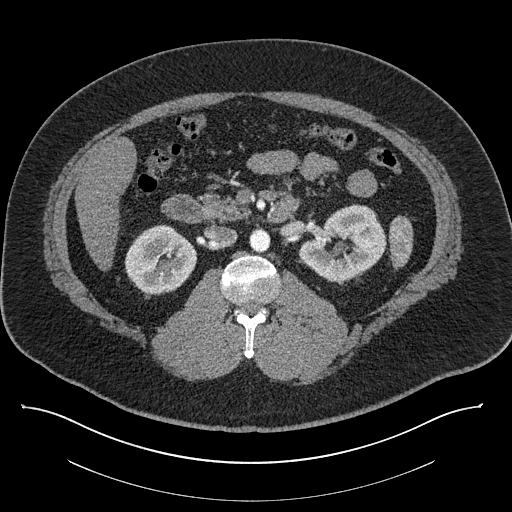
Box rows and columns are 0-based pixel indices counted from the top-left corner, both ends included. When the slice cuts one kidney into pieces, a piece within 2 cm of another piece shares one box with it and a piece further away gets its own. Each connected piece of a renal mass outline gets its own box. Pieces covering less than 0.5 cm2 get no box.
Slice 495/787 of a contrast-enhanced abdominal CT, counting up from the lowest; pixel size 0.910 mm, slice thickness 1.00 mm. Two boxes on this slice (two kidney boxes), listed by box centre from the image's left to its right. (1) Right kidney at rows 224–294, columns 124–197 (outlined area 3,829 px, about 31.7 cm2). (2) Left kidney, box rows 204–282, columns 298–386 (outlined area 4,749 px, about 39.3 cm2). No renal mass is outlined on this slice.
Acquired at 140 kVp and reconstructed with the I30f kernel.